One axial slice (347 of 433, counting up from the lowest) of a contrast-enhanced abdominal CT acquired with 120 kVp, kernel B30f; each pixel is 0.672 mm and the slice is 1.00 mm thick.
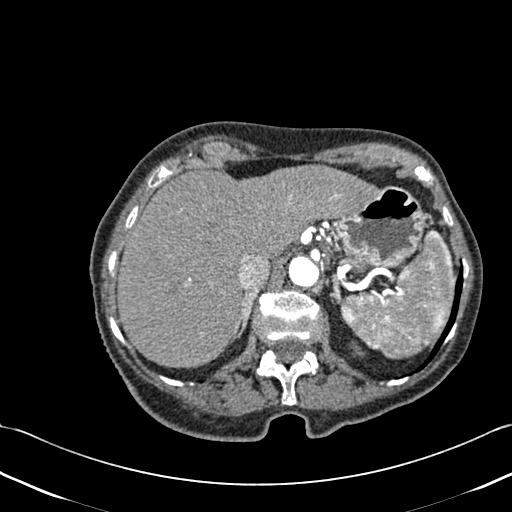
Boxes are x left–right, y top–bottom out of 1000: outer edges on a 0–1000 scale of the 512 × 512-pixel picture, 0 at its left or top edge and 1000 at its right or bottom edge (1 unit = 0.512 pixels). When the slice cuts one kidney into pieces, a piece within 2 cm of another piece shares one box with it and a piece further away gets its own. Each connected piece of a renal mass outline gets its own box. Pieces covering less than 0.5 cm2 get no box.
Left kidney, box x 682–715, y 664–699 out of 1000 (outlined area 155 px, about 0.7 cm2). This slice carries no renal mass outline.